Abdominal CT with intravenous contrast, axial plane, 140 kVp, kernel I44f. Slice 8/86 from the bottom of the scan; thickness 3.00 mm; pixel size 0.977 mm.
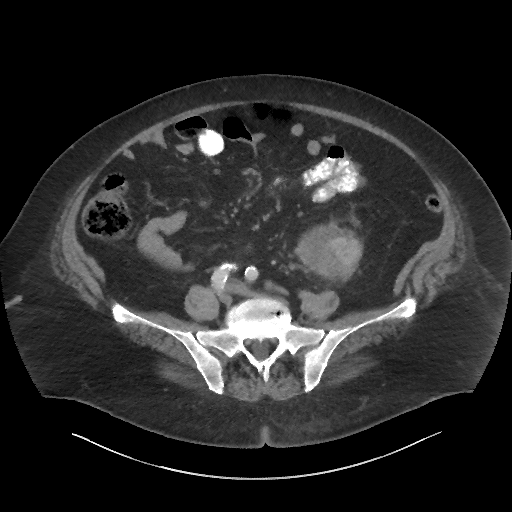
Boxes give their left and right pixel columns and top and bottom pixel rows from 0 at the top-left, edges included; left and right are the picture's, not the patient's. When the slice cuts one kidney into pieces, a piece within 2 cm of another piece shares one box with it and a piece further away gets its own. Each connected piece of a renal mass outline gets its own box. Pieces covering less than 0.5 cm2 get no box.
Box with left 294, top 221, right 363, bottom 282: left renal mass (outlined area 2,947 px, about 28.1 cm2); no kidney is outlined on this slice, but the same outlined renal mass comes within 1 cm of the kidney on another slice.